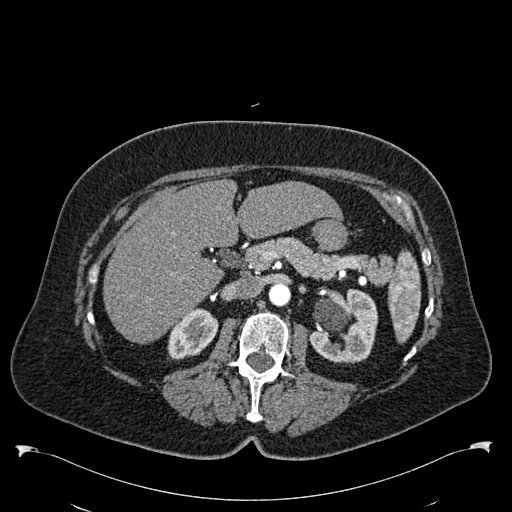
Arterial-phase contrast-enhanced abdominal CT, axial slice 356 of 538 (counted from the lowest slice); tube voltage 120 kVp, convolution kernel B30f; slices 1.00 mm thick, 0.811 mm per pixel.
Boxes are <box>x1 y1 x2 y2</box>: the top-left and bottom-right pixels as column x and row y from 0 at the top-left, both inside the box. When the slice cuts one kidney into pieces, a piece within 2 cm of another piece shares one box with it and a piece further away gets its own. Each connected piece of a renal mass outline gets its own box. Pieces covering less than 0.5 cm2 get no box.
Two boxes on this slice (two kidney boxes), listed by box centre from the image's left to its right. (1) At <box>167 308 218 359</box>: right kidney (outlined area 1,835 px, about 12.1 cm2). (2) At <box>308 289 377 363</box>: left kidney (outlined area 3,776 px, about 24.8 cm2). No renal mass outline on this slice.